Arterial-phase contrast-enhanced abdominal CT, axial slice 436 of 738 (counted from the lowest slice); tube voltage 120 kVp, convolution kernel I30f; slices 1.00 mm thick, 0.789 mm per pixel.
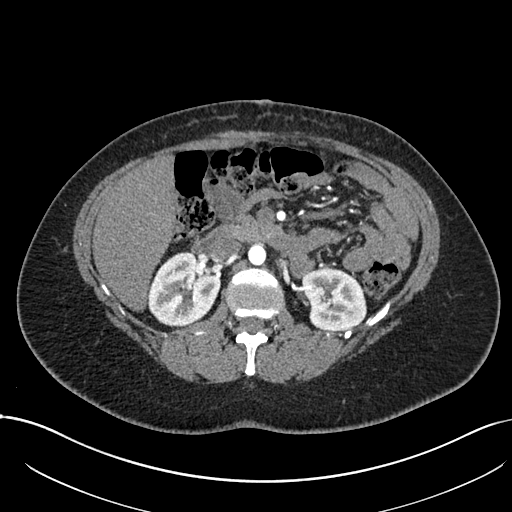
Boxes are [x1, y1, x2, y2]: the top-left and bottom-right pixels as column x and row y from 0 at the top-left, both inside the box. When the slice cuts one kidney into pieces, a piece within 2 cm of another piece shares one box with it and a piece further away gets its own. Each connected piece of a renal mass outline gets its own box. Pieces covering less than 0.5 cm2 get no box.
Two boxes on this slice (two kidney boxes), listed by box centre from the image's left to its right. (1) Box [147, 251, 220, 326]: right kidney (outlined area 4,060 px, about 25.3 cm2). (2) Left kidney, box [302, 267, 366, 330] (outlined area 3,230 px, about 20.1 cm2). No renal mass outline on this slice.